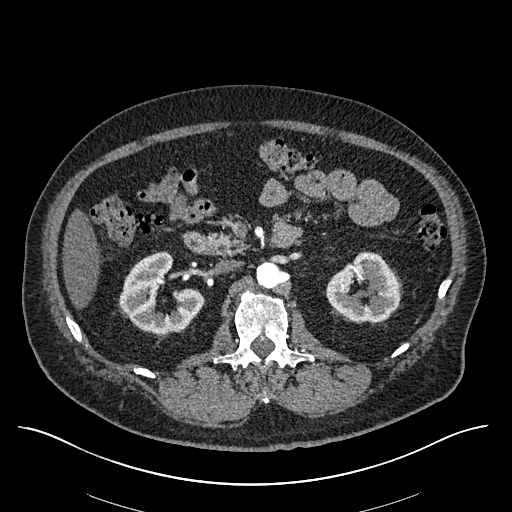
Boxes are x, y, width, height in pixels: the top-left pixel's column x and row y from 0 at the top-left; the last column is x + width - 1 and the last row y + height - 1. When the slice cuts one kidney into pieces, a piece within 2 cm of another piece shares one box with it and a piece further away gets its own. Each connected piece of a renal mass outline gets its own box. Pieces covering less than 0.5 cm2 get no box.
Arterial-phase contrast-enhanced abdominal CT, axial slice 348 of 670 (counted from the lowest slice); 1.00 mm thick, 0.861 mm per pixel. Two boxes on this slice (two kidney boxes), listed by box centre from the image's left to its right. (1) Box x 118, y 251, width 87, height 83: right kidney (outlined area 4,273 px, about 31.7 cm2). (2) Box x 325, y 251, width 78, height 72: left kidney (outlined area 3,845 px, about 28.5 cm2). No renal mass outline on this slice.
Acquired at 120 kVp and reconstructed with the I30f kernel.